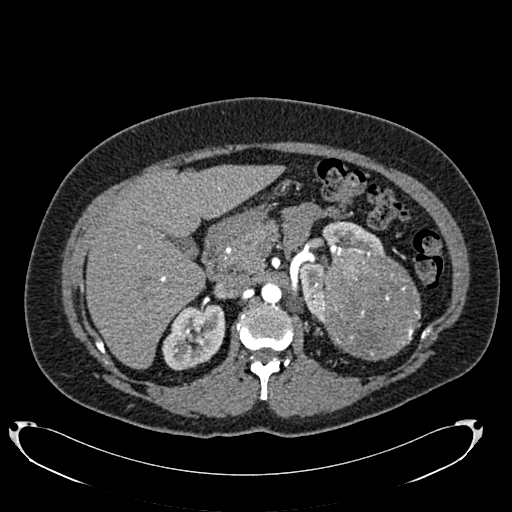
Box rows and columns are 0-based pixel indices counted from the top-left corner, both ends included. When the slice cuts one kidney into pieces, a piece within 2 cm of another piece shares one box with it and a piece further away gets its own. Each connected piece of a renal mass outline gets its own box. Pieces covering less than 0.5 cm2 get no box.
Arterial-phase contrast-enhanced abdominal CT, axial slice 476 of 634 (counted from the lowest slice); 1.00 mm thick, 0.838 mm per pixel. Three boxes on this slice (two kidney boxes and one renal mass box), listed by box centre from the image's left to its right. (1) Box rows 304–370, columns 162–225: right kidney (outlined area 3,114 px, about 21.9 cm2). (2) Left kidney at rows 220–323, columns 299–384 (outlined area 3,019 px, about 21.2 cm2). (3) Box rows 249–361, columns 323–420: left renal mass (outlined area 8,784 px, about 61.7 cm2).
Tube voltage 120 kVp; convolution kernel B20f.